Abdominal CT with intravenous contrast, axial plane, 120 kVp, kernel FC52. Slice 97/137 from the bottom of the scan; thickness 3.00 mm; pixel size 0.741 mm.
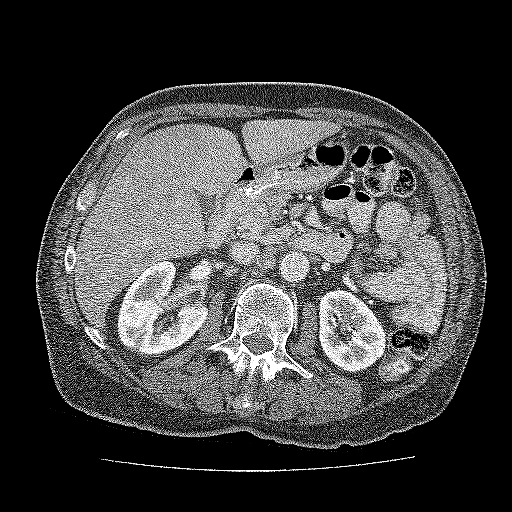
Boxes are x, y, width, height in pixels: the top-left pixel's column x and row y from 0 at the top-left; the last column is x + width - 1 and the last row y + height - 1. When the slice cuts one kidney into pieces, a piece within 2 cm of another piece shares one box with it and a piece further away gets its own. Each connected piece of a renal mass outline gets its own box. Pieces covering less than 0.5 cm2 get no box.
Boxed on this slice (two kidney boxes), listed by box centre from the image's left to its right: (1) Box x 116, y 261, width 93, height 96: kidney (outlined area 6,188 px, about 34.0 cm2). (2) Kidney, box x 318, y 288, width 70, height 85 (outlined area 4,404 px, about 24.2 cm2). No renal mass is outlined on this slice.